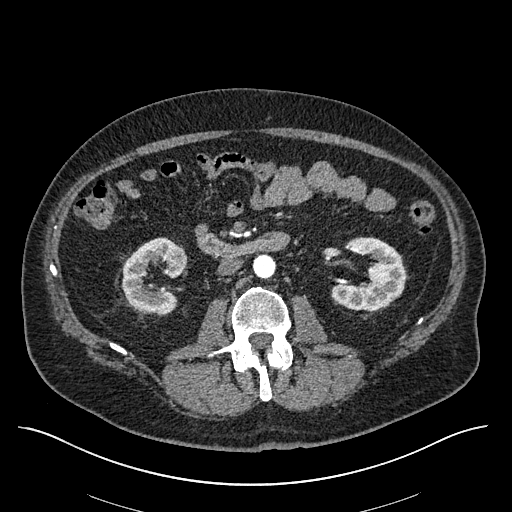
Axial slice 300 of 670 of a contrast-enhanced abdominal CT in the arterial phase (slice 1 is the lowest), 120 kVp, kernel I30f; 1.00 mm slice thickness and 0.861 mm pixels.
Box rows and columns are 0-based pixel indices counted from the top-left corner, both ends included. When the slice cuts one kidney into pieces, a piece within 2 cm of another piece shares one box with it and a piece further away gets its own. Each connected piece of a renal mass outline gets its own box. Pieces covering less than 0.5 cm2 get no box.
Two kidney boxes and one renal mass box on this slice; by box centre, from the image's left to its right: (1) Right kidney, box rows 237–313, columns 121–187 (outlined area 3,063 px, about 22.7 cm2). (2) Box rows 246–267, columns 163–187: right renal mass (outlined area 435 px, about 3.2 cm2). (3) Left kidney, box rows 236–310, columns 330–405 (outlined area 3,651 px, about 27.1 cm2).